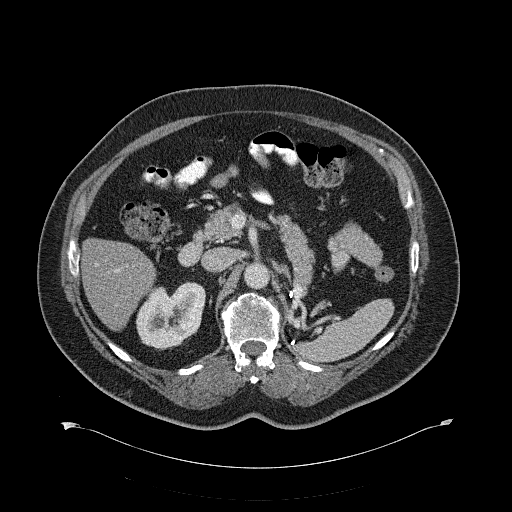
Contrast-enhanced abdominal CT, axial slice 399 of 734 (counted from the lowest slice); tube voltage 120 kVp, convolution kernel B31f; slices 2.00 mm thick, 0.971 mm per pixel.
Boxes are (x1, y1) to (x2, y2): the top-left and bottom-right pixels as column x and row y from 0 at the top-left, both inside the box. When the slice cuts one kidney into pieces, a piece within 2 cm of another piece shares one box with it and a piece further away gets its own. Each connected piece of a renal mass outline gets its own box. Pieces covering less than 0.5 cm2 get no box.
Box (135, 281) to (205, 350): right kidney (outlined area 3,514 px, about 33.1 cm2). This slice carries no renal mass outline.